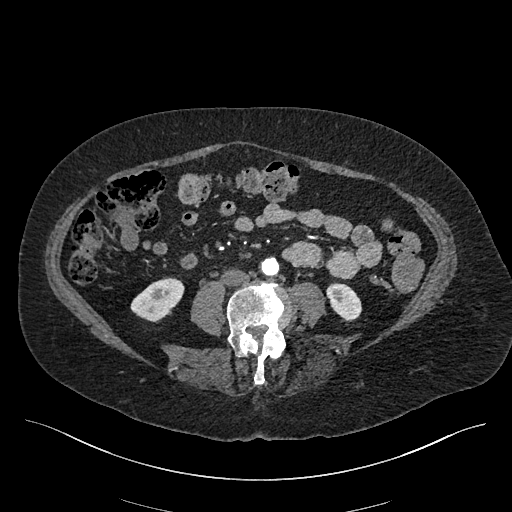
Arterial-phase contrast-enhanced abdominal CT, axial slice 160 of 548 (counted from the lowest slice); tube voltage 120 kVp, convolution kernel I26f; slices 1.00 mm thick, 0.852 mm per pixel.
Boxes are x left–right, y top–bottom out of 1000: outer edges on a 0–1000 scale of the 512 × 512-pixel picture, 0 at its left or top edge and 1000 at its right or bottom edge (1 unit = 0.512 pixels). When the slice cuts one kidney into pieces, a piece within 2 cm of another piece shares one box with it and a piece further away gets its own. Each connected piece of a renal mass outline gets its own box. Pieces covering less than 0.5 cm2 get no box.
Two boxes on this slice (two kidney boxes), listed by box centre from the image's left to its right. (1) Right kidney at x 254–361, y 541–631 out of 1000 (outlined area 1,600 px, about 11.6 cm2). (2) Box x 637–709, y 551–629 out of 1000: left kidney (outlined area 998 px, about 7.2 cm2). No renal mass outline on this slice.